Contrast-enhanced abdominal CT, axial slice 487 of 787 (counted from the lowest slice); tube voltage 140 kVp, convolution kernel I30f; slices 1.00 mm thick, 0.910 mm per pixel.
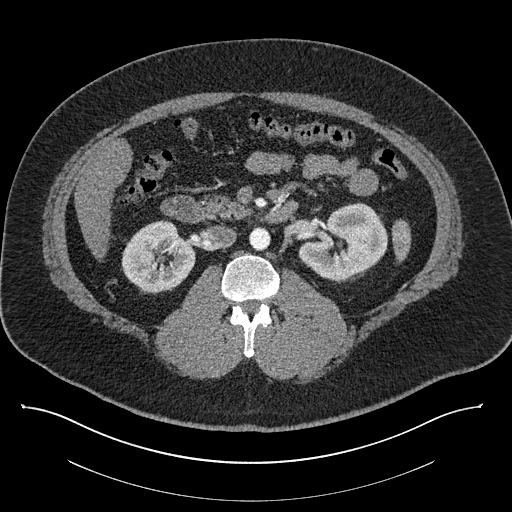
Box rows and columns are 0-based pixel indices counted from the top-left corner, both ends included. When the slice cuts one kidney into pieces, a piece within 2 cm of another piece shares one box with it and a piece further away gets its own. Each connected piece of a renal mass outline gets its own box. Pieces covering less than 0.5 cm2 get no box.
Two kidney boxes on this slice; by box centre, from the image's left to its right: (1) Box rows 220–294, columns 121–195: right kidney (outlined area 3,986 px, about 33.0 cm2). (2) Box rows 202–280, columns 298–387: left kidney (outlined area 4,849 px, about 40.2 cm2). No renal mass is outlined on this slice.